Axial slice 35 of 76 of a contrast-enhanced abdominal CT (slice 1 is the lowest), 120 kVp, kernel B; 3.00 mm slice thickness and 0.684 mm pixels.
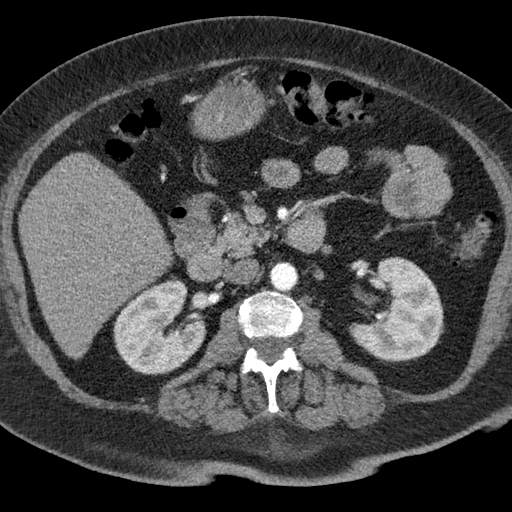
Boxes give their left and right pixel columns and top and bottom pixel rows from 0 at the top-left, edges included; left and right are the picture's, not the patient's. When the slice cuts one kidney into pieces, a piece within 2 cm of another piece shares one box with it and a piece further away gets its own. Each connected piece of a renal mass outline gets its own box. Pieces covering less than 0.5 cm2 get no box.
Two boxes on this slice (two kidney boxes), listed by box centre from the image's left to its right. (1) Right kidney in the box with left 113, top 277, right 206, bottom 375 (outlined area 6,405 px, about 29.9 cm2). (2) Left kidney in the box with left 348, top 256, right 443, bottom 361 (outlined area 6,854 px, about 32.0 cm2). This slice carries no renal mass outline.